One axial slice (457 of 612, counting up from the lowest) of an arterial-phase abdominal CT acquired with 120 kVp, kernel I30f; each pixel is 0.703 mm and the slice is 1.00 mm thick.
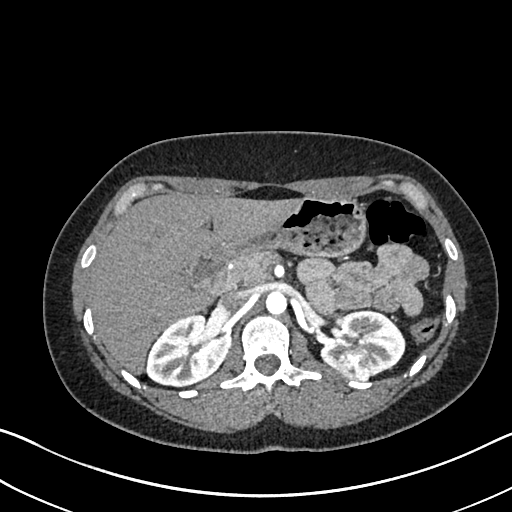
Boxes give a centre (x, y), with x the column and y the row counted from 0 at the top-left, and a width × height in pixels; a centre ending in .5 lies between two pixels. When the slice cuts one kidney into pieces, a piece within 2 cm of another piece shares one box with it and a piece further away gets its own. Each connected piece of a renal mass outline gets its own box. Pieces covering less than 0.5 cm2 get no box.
Two kidney boxes and one renal mass box on this slice; by box centre, from the image's left to its right: (1) Right kidney, box centre (188, 350.5), 85 × 74 pixels (outlined area 4,407 px, about 21.8 cm2). (2) Box centre (354.5, 364), 36 × 33 pixels: left renal mass (outlined area 930 px, about 4.6 cm2). (3) Left kidney, box centre (362.5, 342.5), 86 × 68 pixels (outlined area 3,386 px, about 16.7 cm2).